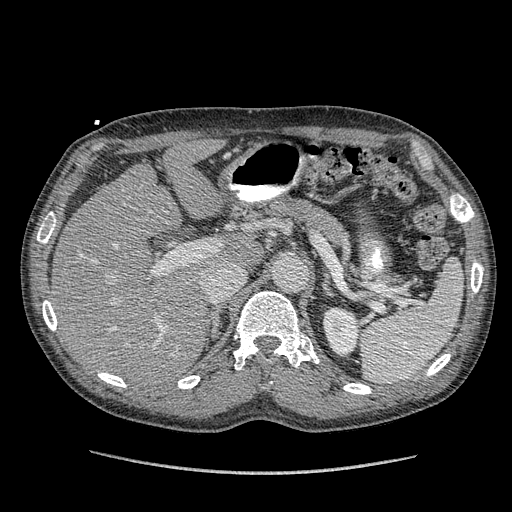
Arterial-phase contrast-enhanced abdominal CT, axial slice 257 of 349 (counted from the lowest slice); tube voltage 120 kVp, convolution kernel STANDARD; slices 1.25 mm thick, 0.742 mm per pixel.
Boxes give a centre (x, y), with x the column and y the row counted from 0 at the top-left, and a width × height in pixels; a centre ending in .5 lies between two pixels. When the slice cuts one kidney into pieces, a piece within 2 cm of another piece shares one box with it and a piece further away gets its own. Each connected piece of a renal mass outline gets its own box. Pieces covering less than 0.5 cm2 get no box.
Left kidney in a box with centre (341, 332), 39 × 51 pixels (outlined area 1,526 px, about 8.4 cm2). No renal mass is outlined on this slice.